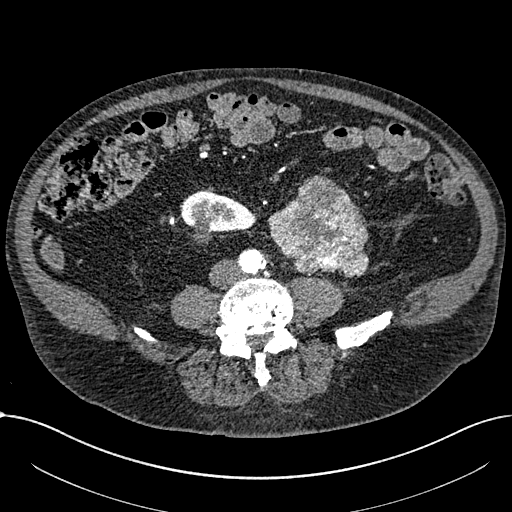
One axial slice (229 of 1059, counting up from the lowest) of an arterial-phase abdominal CT acquired with 100 kVp, kernel I30f; each pixel is 0.811 mm and the slice is 1.00 mm thick.
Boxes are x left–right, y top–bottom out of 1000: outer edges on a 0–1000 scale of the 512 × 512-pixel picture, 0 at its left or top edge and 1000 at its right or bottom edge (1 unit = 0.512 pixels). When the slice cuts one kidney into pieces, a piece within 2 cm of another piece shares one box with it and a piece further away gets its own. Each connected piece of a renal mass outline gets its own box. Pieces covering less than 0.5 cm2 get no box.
Two boxes on this slice (one kidney box and one renal mass box), listed by box centre from the image's left to its right. (1) Box x 354–502, y 371–479 out of 1000: right part of the midline-crossing kidney (outlined area 2,543 px, about 16.7 cm2). (2) Renal mass at x 521–721, y 342–543 out of 1000 (outlined area 7,186 px, about 47.2 cm2).